Abdominal CT with intravenous contrast, axial plane, 120 kVp, kernel B. Slice 64/88 from the bottom of the scan; thickness 5.00 mm; pixel size 0.865 mm.
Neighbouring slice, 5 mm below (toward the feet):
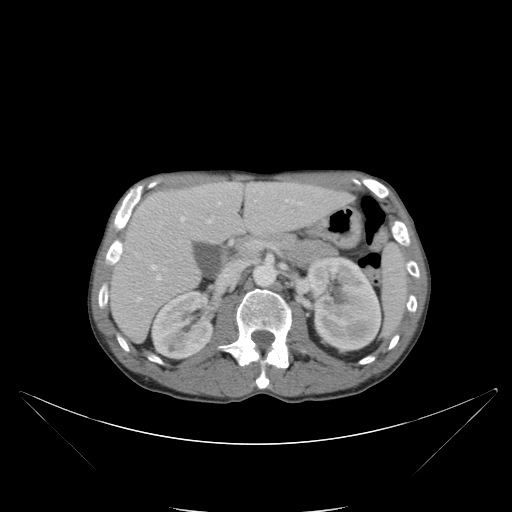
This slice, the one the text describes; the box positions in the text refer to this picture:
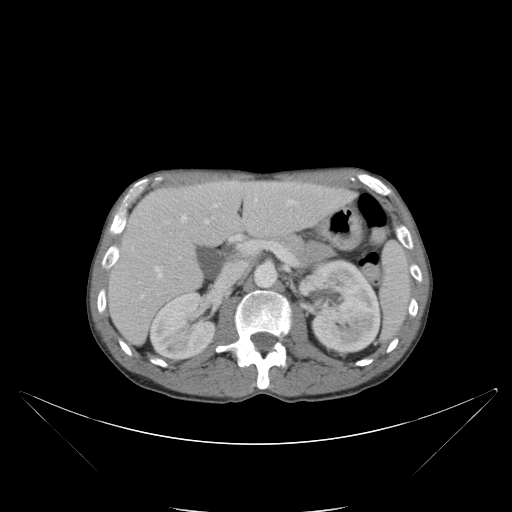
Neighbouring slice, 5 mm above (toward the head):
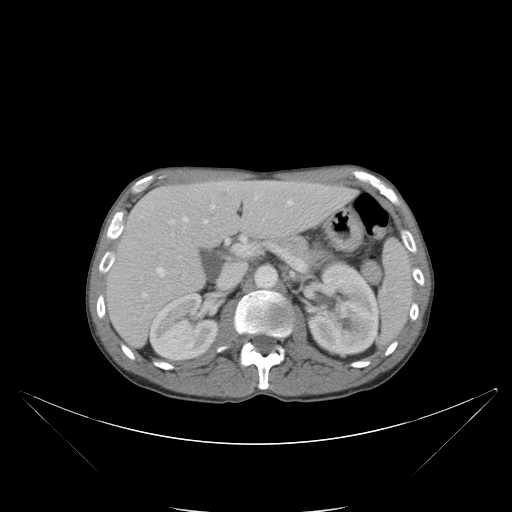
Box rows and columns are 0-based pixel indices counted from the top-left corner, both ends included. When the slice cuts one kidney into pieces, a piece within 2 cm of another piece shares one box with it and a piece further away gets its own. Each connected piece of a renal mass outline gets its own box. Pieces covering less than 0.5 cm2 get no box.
Two kidney boxes and one renal mass box on this slice; by box centre, from the image's left to its right: (1) Right kidney, box rows 292–363, columns 149–218 (outlined area 3,506 px, about 26.2 cm2). (2) Left kidney at rows 260–353, columns 296–381 (outlined area 4,566 px, about 34.2 cm2). (3) Left renal mass, box rows 309–344, columns 331–377 (outlined area 1,300 px, about 9.7 cm2). This slice lies near the end of the left renal mass toward the head; the slices 5 mm below and 5 mm above it are shown too, and the boxes mark positions on this slice only.